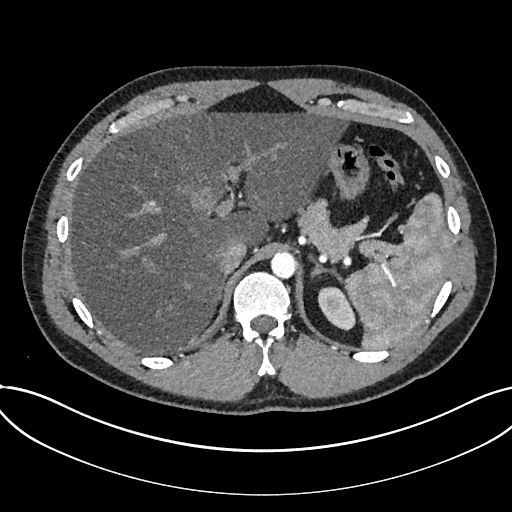
One axial slice (581 of 735, counting up from the lowest) of an arterial-phase abdominal CT acquired with 120 kVp, kernel I30f; each pixel is 0.789 mm and the slice is 1.00 mm thick.
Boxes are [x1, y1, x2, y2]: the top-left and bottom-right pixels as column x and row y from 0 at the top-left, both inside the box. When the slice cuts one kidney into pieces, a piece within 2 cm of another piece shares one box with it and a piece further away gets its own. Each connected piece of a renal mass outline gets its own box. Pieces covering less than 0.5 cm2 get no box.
Box [318, 286, 355, 330]: kidney (outlined area 1,153 px, about 7.2 cm2). No renal mass outline on this slice.